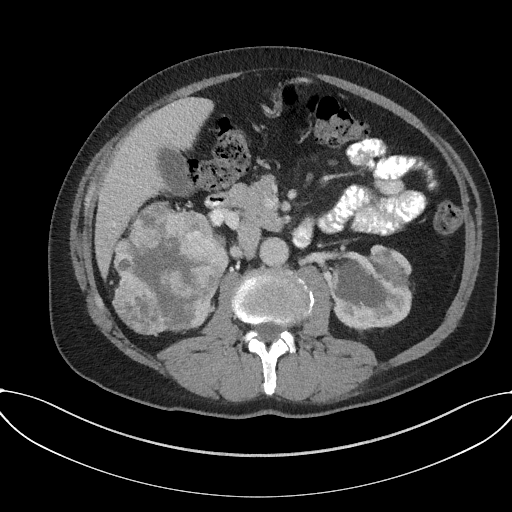
Axial slice 94 of 227 of a contrast-enhanced abdominal CT in the arterial phase (slice 1 is the lowest), 120 kVp, kernel I31f; 3.00 mm slice thickness and 0.816 mm pixels.
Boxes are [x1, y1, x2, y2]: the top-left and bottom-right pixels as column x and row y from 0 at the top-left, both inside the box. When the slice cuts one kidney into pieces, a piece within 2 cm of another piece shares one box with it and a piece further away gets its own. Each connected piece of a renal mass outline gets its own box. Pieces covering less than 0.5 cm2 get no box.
Two boxes on this slice (one kidney box and one renal mass box), listed by box centre from the image's left to its right. (1) Box [112, 203, 229, 334]: right renal mass (outlined area 11,662 px, about 77.7 cm2); it sits over 1 cm from every kidney outline on this slice, but the same outlined renal mass comes within 1 cm of the kidney on another slice. (2) Left kidney, box [333, 244, 412, 329] (outlined area 5,277 px, about 35.2 cm2).